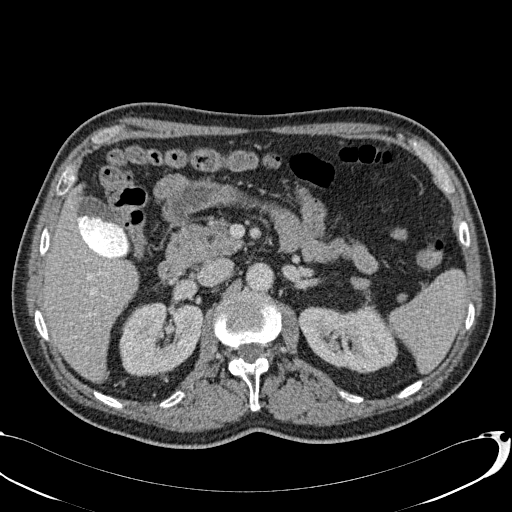
Contrast-enhanced abdominal CT, axial slice 52 of 113 (counted from the lowest slice); tube voltage 120 kVp, convolution kernel B31f; slices 2.00 mm thick, 0.742 mm per pixel.
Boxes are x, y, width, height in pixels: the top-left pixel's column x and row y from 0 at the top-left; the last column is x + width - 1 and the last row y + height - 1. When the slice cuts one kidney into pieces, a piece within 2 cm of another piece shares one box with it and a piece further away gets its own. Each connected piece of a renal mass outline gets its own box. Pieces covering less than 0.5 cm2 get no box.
Two kidney boxes on this slice; by box centre, from the image's left to its right: (1) Right kidney at x 119, y 301, width 84, height 76 (outlined area 5,010 px, about 27.6 cm2). (2) Left kidney at x 298, y 304, width 101, height 70 (outlined area 5,068 px, about 27.9 cm2). No renal mass is outlined on this slice.